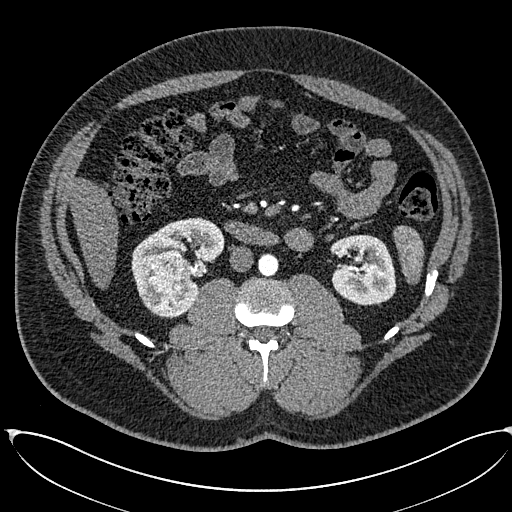
Abdominal CT with intravenous contrast, arterial phase, axial plane, 120 kVp, kernel I30f. Slice 308/673 from the bottom of the scan; thickness 1.00 mm; pixel size 0.855 mm.
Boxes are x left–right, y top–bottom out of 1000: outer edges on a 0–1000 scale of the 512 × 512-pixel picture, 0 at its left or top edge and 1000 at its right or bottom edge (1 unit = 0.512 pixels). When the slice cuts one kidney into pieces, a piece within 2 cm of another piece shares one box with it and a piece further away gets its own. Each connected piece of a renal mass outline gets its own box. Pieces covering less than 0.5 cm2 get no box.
Two kidney boxes and one renal mass box on this slice; by box centre, from the image's left to its right: (1) Box x 287–375, y 490–607 out of 1000: right renal mass (outlined area 2,226 px, about 16.3 cm2). (2) Right kidney at x 256–439, y 424–619 out of 1000 (outlined area 4,127 px, about 30.2 cm2). (3) Left kidney, box x 646–775, y 457–598 out of 1000 (outlined area 3,695 px, about 27.0 cm2).